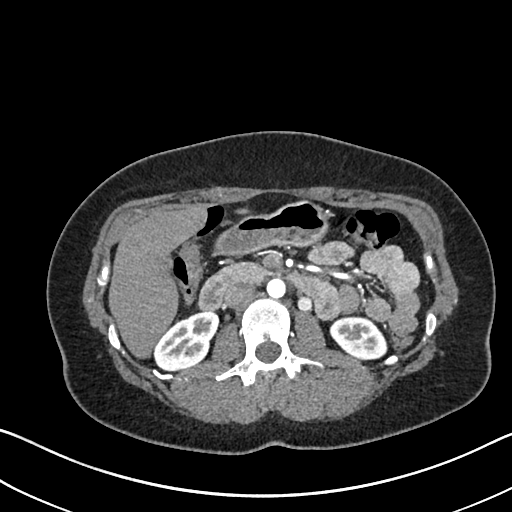
Axial slice 396 of 612 of a contrast-enhanced abdominal CT in the arterial phase (slice 1 is the lowest), 120 kVp, kernel I30f; 1.00 mm slice thickness and 0.703 mm pixels.
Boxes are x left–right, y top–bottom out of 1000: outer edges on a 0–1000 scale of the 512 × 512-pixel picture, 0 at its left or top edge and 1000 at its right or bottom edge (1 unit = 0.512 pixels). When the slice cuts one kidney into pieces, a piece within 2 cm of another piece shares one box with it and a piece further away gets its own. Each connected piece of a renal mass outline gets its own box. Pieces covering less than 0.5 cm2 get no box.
Two kidney boxes on this slice; by box centre, from the image's left to its right: (1) Box x 301–428, y 607–725 out of 1000: right kidney (outlined area 2,551 px, about 12.6 cm2). (2) Box x 643–758, y 617–705 out of 1000: left kidney (outlined area 1,896 px, about 9.4 cm2). This slice carries no renal mass outline.